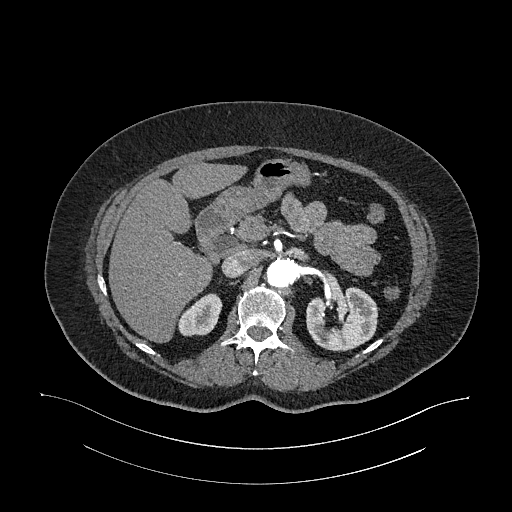
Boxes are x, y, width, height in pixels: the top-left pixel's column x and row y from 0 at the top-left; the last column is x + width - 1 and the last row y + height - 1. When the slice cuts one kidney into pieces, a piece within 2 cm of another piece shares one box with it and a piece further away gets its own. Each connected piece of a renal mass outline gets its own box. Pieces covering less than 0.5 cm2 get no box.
Slice 716/987 of a contrast-enhanced abdominal CT in the arterial phase, counting up from the lowest; pixel size 0.977 mm, slice thickness 1.00 mm. Boxed on this slice (two kidney boxes), listed by box centre from the image's left to its right: (1) Right kidney at x 177, y 293, width 46, height 44 (outlined area 1,348 px, about 12.9 cm2). (2) Left kidney, box x 306, y 286, width 73, height 66 (outlined area 3,487 px, about 33.3 cm2). No renal mass outline on this slice.
Acquired at 120 kVp and reconstructed with the I26f kernel.